Axial slice 213 of 433 of a contrast-enhanced abdominal CT (slice 1 is the lowest), 120 kVp, kernel B30f; 1.00 mm slice thickness and 0.672 mm pixels.
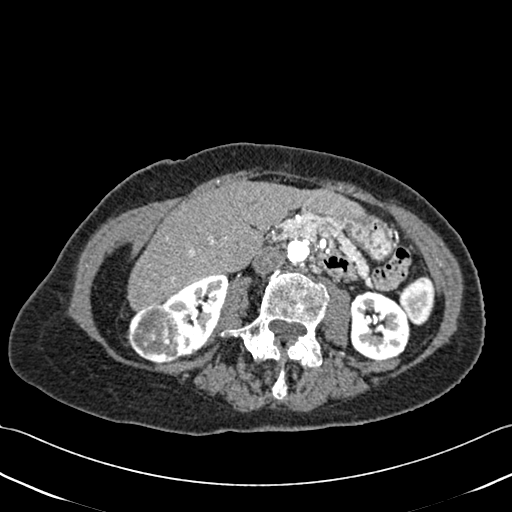
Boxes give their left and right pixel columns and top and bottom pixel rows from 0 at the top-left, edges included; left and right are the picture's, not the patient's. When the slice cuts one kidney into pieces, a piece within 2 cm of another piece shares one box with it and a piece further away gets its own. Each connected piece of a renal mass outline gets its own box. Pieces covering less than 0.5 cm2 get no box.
Boxed on this slice (two kidney boxes and one renal mass box), listed by box centre from the image's left to its right: (1) Right renal mass, the box with left 126, top 303, right 182, bottom 362 (outlined area 2,623 px, about 11.8 cm2). (2) Box with left 161, top 274, right 229, bottom 360: right kidney (outlined area 3,050 px, about 13.8 cm2). (3) Left kidney, the box with left 350, top 290, right 410, bottom 359 (outlined area 3,388 px, about 15.3 cm2).